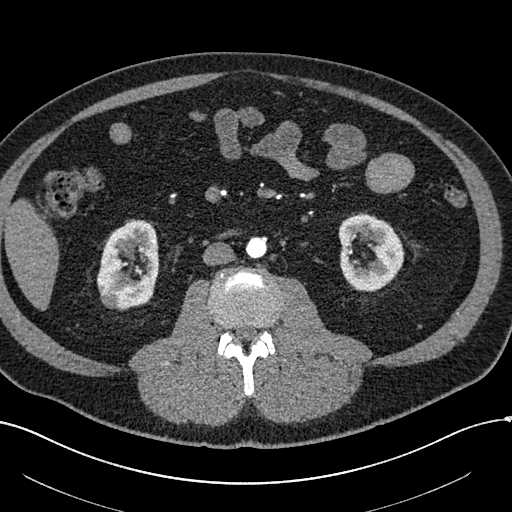
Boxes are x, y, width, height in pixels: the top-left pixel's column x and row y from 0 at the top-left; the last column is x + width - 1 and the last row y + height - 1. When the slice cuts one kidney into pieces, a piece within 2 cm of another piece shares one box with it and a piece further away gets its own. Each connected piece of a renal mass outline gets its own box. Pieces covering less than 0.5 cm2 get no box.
This is axial slice 264 of 602 (slice 1 is the lowest) of an arterial-phase abdominal CT with contrast; each pixel is 0.799 mm and the slice is 1.00 mm thick. Three boxes on this slice (two kidney boxes and one renal mass box), listed by box centre from the image's left to its right. (1) Right renal mass at x 100, y 292, width 19, height 17 (outlined area 242 px, about 1.5 cm2). (2) Right kidney at x 96, y 219, width 63, height 91 (outlined area 4,114 px, about 26.3 cm2). (3) Left kidney, box x 338, y 213, width 67, height 79 (outlined area 3,668 px, about 23.4 cm2).
Acquired at 120 kVp and reconstructed with the I30f kernel.